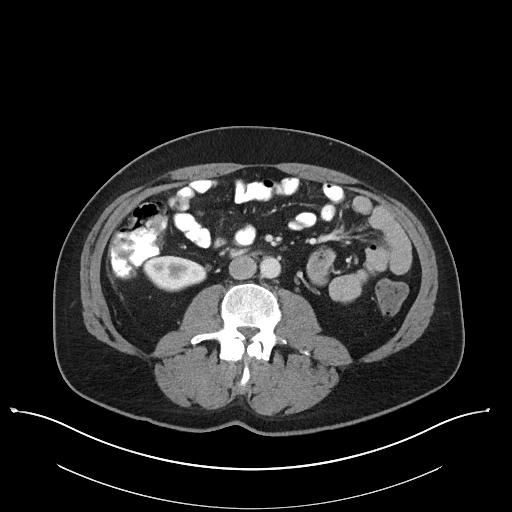
Axial slice 58 of 101 of a contrast-enhanced abdominal CT (slice 1 is the lowest), 100 kVp, kernel I40f; 5.00 mm slice thickness and 0.879 mm pixels.
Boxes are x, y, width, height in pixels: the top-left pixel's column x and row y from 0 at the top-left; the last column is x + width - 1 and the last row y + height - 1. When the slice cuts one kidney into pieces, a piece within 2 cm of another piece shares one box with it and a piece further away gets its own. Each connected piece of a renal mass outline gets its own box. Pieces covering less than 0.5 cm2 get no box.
Box x 144, y 255, width 64, height 37: right kidney (outlined area 1,727 px, about 13.3 cm2). No renal mass outline on this slice.